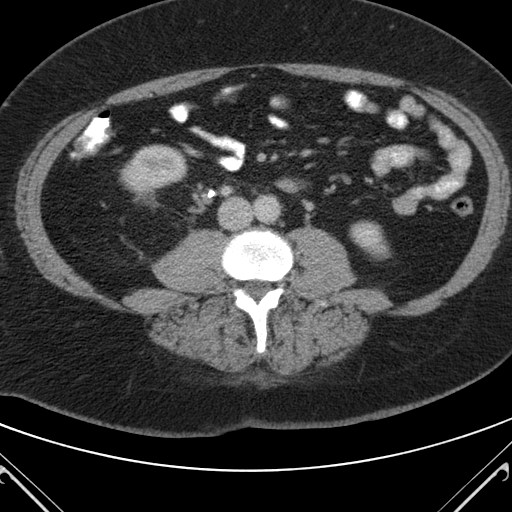
Axial slice 52 of 98 of a contrast-enhanced abdominal CT in the arterial phase (slice 1 is the lowest), 120 kVp, kernel B; 5.00 mm slice thickness and 0.703 mm pixels.
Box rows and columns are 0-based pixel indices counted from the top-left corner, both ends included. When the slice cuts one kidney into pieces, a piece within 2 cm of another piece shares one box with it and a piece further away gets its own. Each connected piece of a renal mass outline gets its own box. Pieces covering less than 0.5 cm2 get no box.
Two kidney boxes on this slice; by box centre, from the image's left to its right: (1) Right kidney, box rows 144–193, columns 119–187 (outlined area 2,521 px, about 12.5 cm2). (2) Left kidney, box rows 220–260, columns 349–390 (outlined area 1,129 px, about 5.6 cm2). No renal mass outline on this slice.